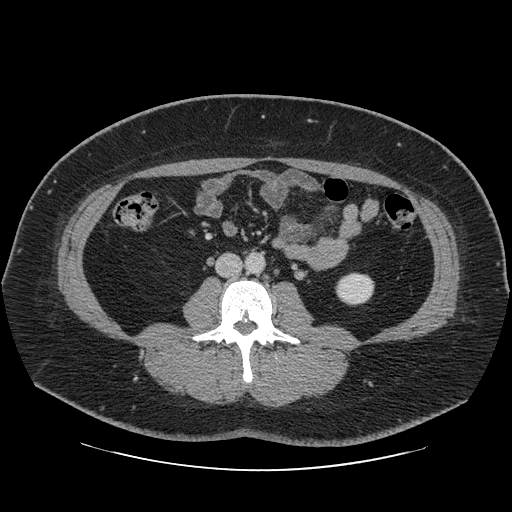
Axial slice 11 of 69 of a contrast-enhanced abdominal CT in the arterial phase (slice 1 is the lowest), 120 kVp, kernel STANDARD; 2.50 mm slice thickness and 0.846 mm pixels.
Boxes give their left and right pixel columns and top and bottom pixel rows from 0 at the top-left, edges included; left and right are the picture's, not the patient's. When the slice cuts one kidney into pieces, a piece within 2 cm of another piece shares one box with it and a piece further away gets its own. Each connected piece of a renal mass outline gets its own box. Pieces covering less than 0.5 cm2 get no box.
Box with left 335, top 272, right 374, bottom 305: left kidney (outlined area 1,047 px, about 7.5 cm2). This slice carries no renal mass outline.